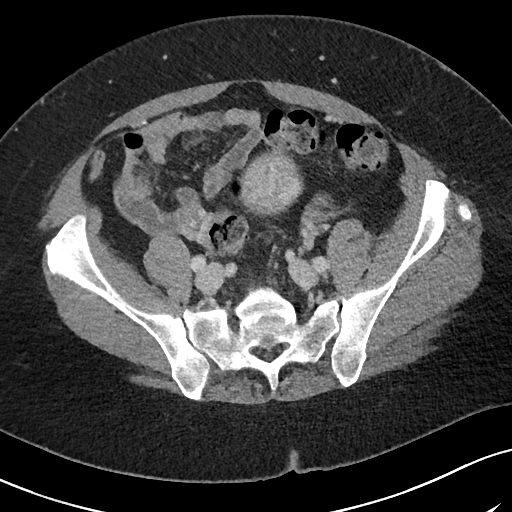
Axial slice 6 of 69 of a contrast-enhanced abdominal CT in the arterial phase (slice 1 is the lowest), 120 kVp, kernel I40f; 3.00 mm slice thickness and 0.664 mm pixels.
No kidney and no renal mass is outlined on this slice; the outlines in this scan cover only the kidneys and the renal masses, so nothing is said about any other organ.